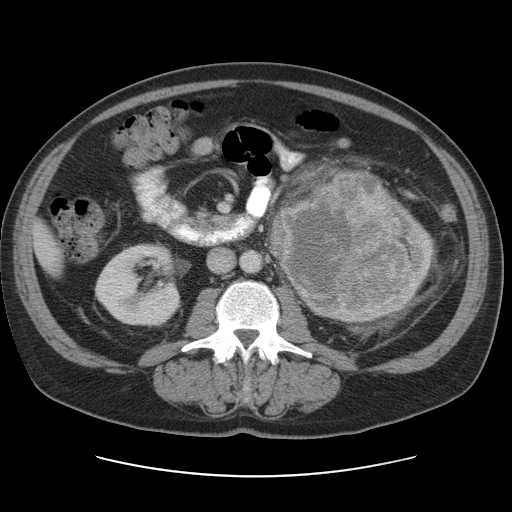
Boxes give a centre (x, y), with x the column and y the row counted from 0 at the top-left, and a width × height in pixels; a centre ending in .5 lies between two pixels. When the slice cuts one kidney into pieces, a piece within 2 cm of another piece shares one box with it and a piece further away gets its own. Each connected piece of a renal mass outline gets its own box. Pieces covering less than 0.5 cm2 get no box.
This is axial slice 56 of 95 (slice 1 is the lowest) of an abdominal CT with contrast; each pixel is 0.781 mm and the slice is 5.00 mm thick. Boxed on this slice (two kidney boxes and one renal mass box), listed by box centre from the image's left to its right: (1) Right kidney, box centre (138, 284.5), 89 × 86 pixels (outlined area 5,688 px, about 34.7 cm2). (2) Left renal mass, box centre (334, 229), 129 × 121 pixels (outlined area 12,070 px, about 73.7 cm2). (3) Left kidney, box centre (360.5, 261.5), 148 × 124 pixels (outlined area 6,174 px, about 37.7 cm2).
Tube voltage 120 kVp; convolution kernel STANDARD.